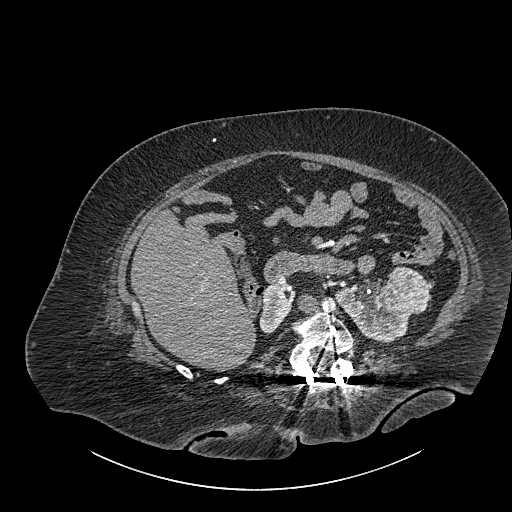
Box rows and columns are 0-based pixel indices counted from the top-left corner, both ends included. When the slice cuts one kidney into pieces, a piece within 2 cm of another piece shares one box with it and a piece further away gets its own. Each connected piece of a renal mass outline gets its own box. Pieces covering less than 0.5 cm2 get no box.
Contrast-enhanced abdominal CT, axial slice 534 of 834 (counted from the lowest slice); 1.00 mm thick, 0.977 mm per pixel. Three boxes on this slice (two kidney boxes and one renal mass box), listed by box centre from the image's left to its right. (1) Right part of the midline-crossing kidney at rows 285–333, columns 259–291 (outlined area 1,080 px, about 10.3 cm2). (2) Left part of the midline-crossing kidney at rows 283–342, columns 334–411 (outlined area 2,736 px, about 26.1 cm2). (3) Renal mass at rows 266–313, columns 387–429 (outlined area 1,566 px, about 14.9 cm2).
Tube voltage 140 kVp; convolution kernel I30f.